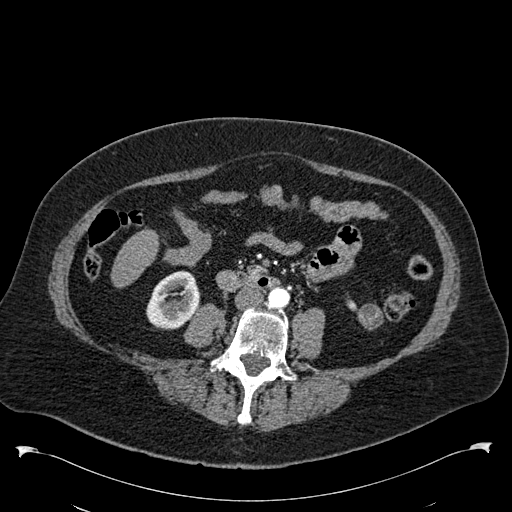
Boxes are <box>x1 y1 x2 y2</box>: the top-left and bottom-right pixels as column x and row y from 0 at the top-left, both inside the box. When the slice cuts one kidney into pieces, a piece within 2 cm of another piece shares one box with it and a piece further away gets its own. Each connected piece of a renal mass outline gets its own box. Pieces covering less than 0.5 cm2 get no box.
This is axial slice 225 of 538 (slice 1 is the lowest) of an arterial-phase abdominal CT with contrast; each pixel is 0.811 mm and the slice is 1.00 mm thick. Boxed on this slice (one kidney box and one renal mass box), listed by box centre from the image's left to its right: (1) Right kidney: <box>146 270 200 329</box> (outlined area 2,340 px, about 15.4 cm2). (2) Left renal mass: <box>349 300 383 330</box> (outlined area 606 px, about 4.0 cm2).
Scan settings: 120 kVp, B30f reconstruction kernel.